Arterial-phase contrast-enhanced abdominal CT, axial slice 403 of 735 (counted from the lowest slice); tube voltage 120 kVp, convolution kernel I30f; slices 1.00 mm thick, 0.789 mm per pixel.
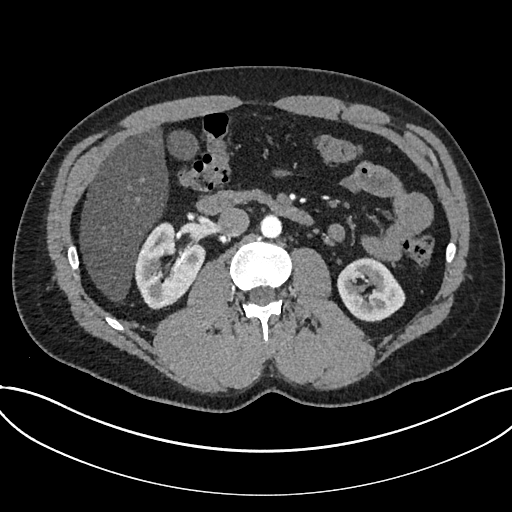
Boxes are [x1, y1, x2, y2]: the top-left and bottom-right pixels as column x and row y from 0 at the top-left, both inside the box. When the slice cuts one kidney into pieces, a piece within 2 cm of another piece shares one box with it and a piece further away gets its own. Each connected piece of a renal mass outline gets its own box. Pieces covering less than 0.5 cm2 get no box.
Boxed on this slice (two kidney boxes), listed by box centre from the image's left to its right: (1) Kidney, box [133, 222, 204, 309] (outlined area 4,184 px, about 26.1 cm2). (2) Kidney, box [336, 257, 405, 322] (outlined area 3,173 px, about 19.8 cm2). This slice carries no renal mass outline.